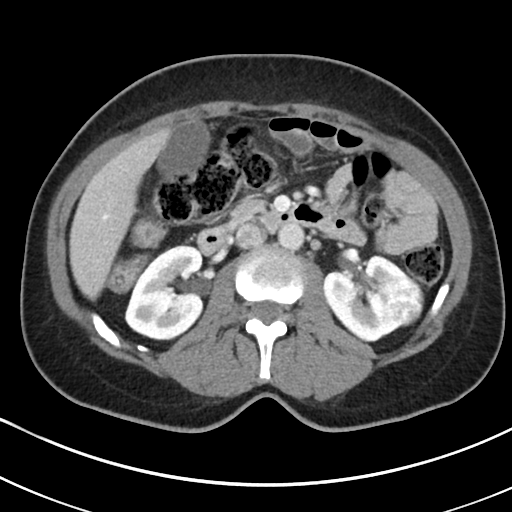
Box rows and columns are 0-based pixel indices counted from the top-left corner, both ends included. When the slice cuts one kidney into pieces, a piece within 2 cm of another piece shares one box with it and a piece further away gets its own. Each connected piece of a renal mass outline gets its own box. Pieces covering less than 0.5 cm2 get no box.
Contrast-enhanced abdominal CT, axial slice 113 of 178 (counted from the lowest slice); 5.00 mm thick, 0.650 mm per pixel. Boxed on this slice (two kidney boxes and one renal mass box), listed by box centre from the image's left to its right: (1) Right kidney at rows 245–340, columns 124–204 (outlined area 5,770 px, about 24.4 cm2). (2) Box rows 254–342, columns 322–418: left kidney (outlined area 4,703 px, about 19.9 cm2). (3) Left renal mass, box rows 277–325, columns 379–423 (outlined area 1,566 px, about 6.6 cm2).
Tube voltage 100 kVp; convolution kernel I30f.